Axial slice 77 of 105 of a contrast-enhanced abdominal CT in the arterial phase (slice 1 is the lowest), 120 kVp, kernel STANDARD; 5.00 mm slice thickness and 0.707 mm pixels.
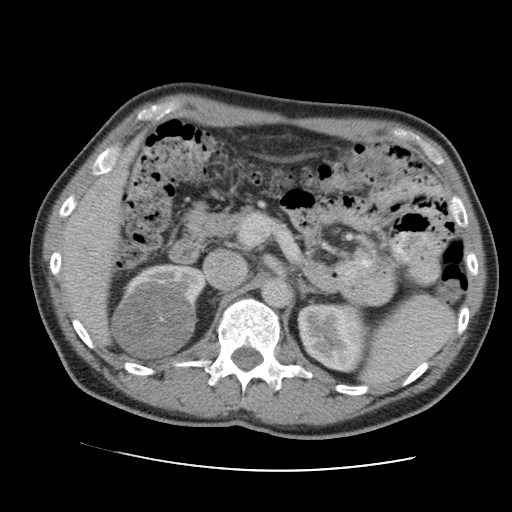
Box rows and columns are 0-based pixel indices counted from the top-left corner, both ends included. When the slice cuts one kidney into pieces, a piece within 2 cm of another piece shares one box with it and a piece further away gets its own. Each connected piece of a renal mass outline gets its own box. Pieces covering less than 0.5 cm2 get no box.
Three boxes on this slice (two kidney boxes and one renal mass box), listed by box centre from the image's left to its right. (1) Box rows 279–360, columns 110–198: right renal mass (outlined area 5,419 px, about 27.1 cm2). (2) Box rows 262–305, columns 124–207: right kidney (outlined area 1,570 px, about 7.8 cm2). (3) Left kidney at rows 302–372, columns 297–369 (outlined area 4,110 px, about 20.5 cm2).